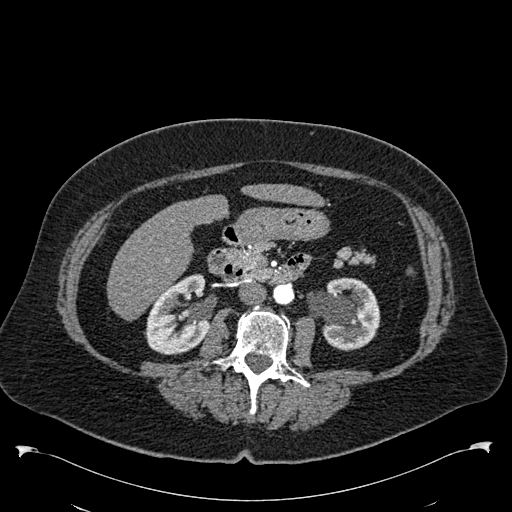
Abdominal CT with intravenous contrast, arterial phase, axial plane, 120 kVp, kernel B30f. Slice 295/538 from the bottom of the scan; thickness 1.00 mm; pixel size 0.811 mm.
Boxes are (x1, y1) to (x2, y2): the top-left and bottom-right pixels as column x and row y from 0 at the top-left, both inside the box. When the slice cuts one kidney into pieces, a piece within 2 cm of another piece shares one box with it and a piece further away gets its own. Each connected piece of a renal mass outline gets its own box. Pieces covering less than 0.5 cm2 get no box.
Two kidney boxes on this slice; by box centre, from the image's left to its right: (1) Right kidney, box (144, 274) to (209, 354) (outlined area 3,723 px, about 24.5 cm2). (2) Left kidney, box (307, 277) to (380, 350) (outlined area 3,812 px, about 25.0 cm2). No renal mass outline on this slice.